Arterial-phase contrast-enhanced abdominal CT, axial slice 74 of 103 (counted from the lowest slice); tube voltage 120 kVp, convolution kernel B41f; slices 5.00 mm thick, 0.951 mm per pixel.
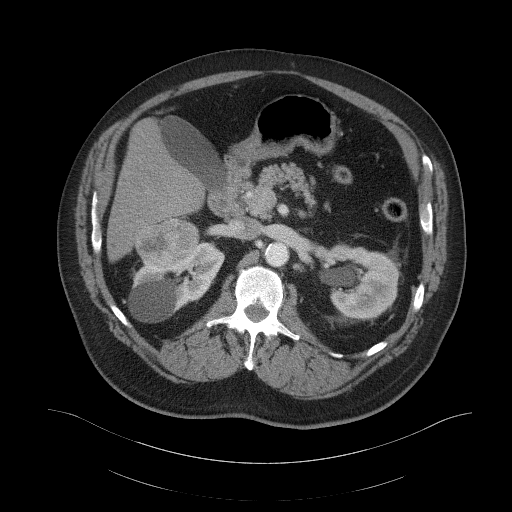
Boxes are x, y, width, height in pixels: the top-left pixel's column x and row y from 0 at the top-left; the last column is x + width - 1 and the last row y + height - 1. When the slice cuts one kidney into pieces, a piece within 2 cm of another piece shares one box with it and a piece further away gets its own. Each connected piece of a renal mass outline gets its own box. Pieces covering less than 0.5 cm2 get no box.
Boxed on this slice (two kidney boxes and one renal mass box), listed by box centre from the image's left to its right: (1) Box x 135, y 217, width 64, height 52: right renal mass (outlined area 2,487 px, about 22.5 cm2). (2) Right kidney, box x 129, y 231, width 96, height 92 (outlined area 4,449 px, about 40.3 cm2). (3) Box x 324, y 244, width 76, height 76: left kidney (outlined area 4,384 px, about 39.7 cm2).